Abdominal CT with intravenous contrast, arterial phase, axial plane, 120 kVp, kernel STANDARD. Slice 51/121 from the bottom of the scan; thickness 2.50 mm; pixel size 0.861 mm.
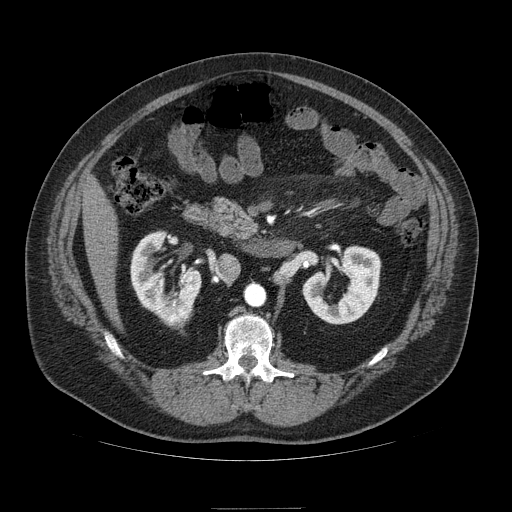
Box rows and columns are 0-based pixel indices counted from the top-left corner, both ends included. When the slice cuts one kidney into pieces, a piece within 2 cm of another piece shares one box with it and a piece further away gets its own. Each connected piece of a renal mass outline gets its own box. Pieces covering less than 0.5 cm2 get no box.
Two kidney boxes and one renal mass box on this slice; by box centre, from the image's left to its right: (1) Box rows 231–319, columns 130–201: right kidney (outlined area 3,166 px, about 23.5 cm2). (2) Right renal mass at rows 299–329, columns 161–190 (outlined area 671 px, about 5.0 cm2). (3) Left kidney, box rows 245–324, columns 302–380 (outlined area 3,872 px, about 28.7 cm2).